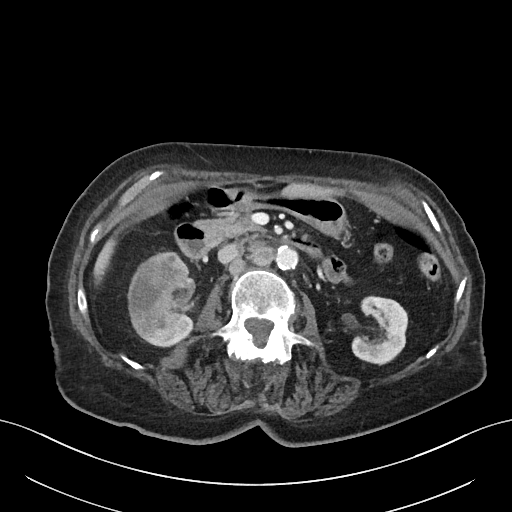
Axial slice 30 of 76 of a contrast-enhanced abdominal CT (slice 1 is the lowest), 100 kVp, kernel I40f; 3.00 mm slice thickness and 0.768 mm pixels.
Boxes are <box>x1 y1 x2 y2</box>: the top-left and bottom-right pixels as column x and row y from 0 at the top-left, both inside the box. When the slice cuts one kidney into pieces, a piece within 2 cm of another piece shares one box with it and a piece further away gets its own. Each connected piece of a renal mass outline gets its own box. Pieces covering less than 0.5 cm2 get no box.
Three boxes on this slice (two kidney boxes and one renal mass box), listed by box centre from the image's left to its right. (1) Right renal mass at <box>127 251 190 345</box> (outlined area 4,055 px, about 23.9 cm2). (2) Right kidney: <box>155 273 195 347</box> (outlined area 1,112 px, about 6.6 cm2). (3) At <box>351 295 408 365</box>: left kidney (outlined area 2,738 px, about 16.1 cm2).